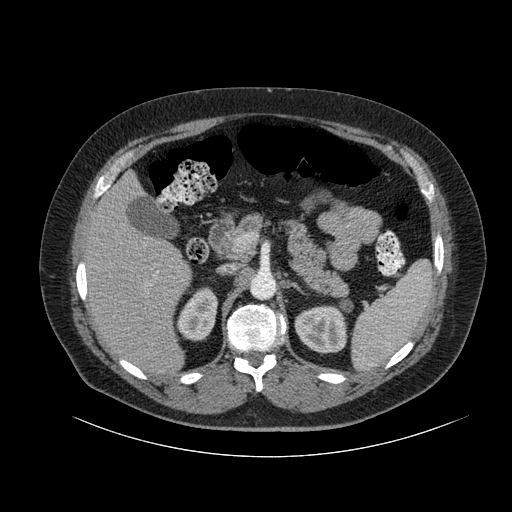
One axial slice (64 of 105, counting up from the lowest) of a contrast-enhanced abdominal CT acquired with 120 kVp, kernel B; each pixel is 0.977 mm and the slice is 3.00 mm thick.
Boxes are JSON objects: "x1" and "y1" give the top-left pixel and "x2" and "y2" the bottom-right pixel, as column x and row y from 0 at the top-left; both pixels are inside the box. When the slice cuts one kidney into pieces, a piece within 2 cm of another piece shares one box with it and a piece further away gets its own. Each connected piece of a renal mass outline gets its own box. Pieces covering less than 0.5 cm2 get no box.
Two boxes on this slice (two kidney boxes), listed by box centre from the image's left to its right. (1) Right kidney at {"x1": 176, "y1": 287, "x2": 218, "y2": 341} (outlined area 1,638 px, about 15.6 cm2). (2) Box {"x1": 294, "y1": 305, "x2": 347, "y2": 354}: left kidney (outlined area 2,084 px, about 19.9 cm2). No renal mass is outlined on this slice.